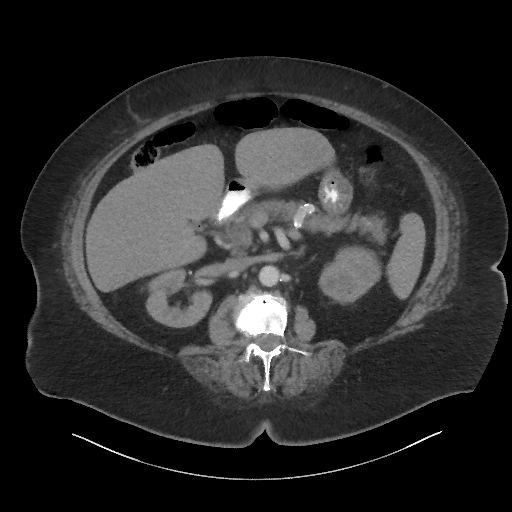
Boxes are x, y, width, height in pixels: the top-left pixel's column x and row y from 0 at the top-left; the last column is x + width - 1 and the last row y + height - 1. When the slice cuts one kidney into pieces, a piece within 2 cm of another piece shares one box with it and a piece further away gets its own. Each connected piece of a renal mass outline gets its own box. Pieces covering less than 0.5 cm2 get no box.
This is axial slice 40 of 86 (slice 1 is the lowest) of an abdominal CT with contrast; each pixel is 0.977 mm and the slice is 3.00 mm thick. Boxed on this slice (two kidney boxes), listed by box centre from the image's left to its right: (1) Box x 146, y 269, width 67, height 59: right kidney (outlined area 2,705 px, about 25.8 cm2). (2) Left kidney at x 318, y 245, width 62, height 60 (outlined area 2,591 px, about 24.7 cm2). No renal mass outline on this slice.
Scan settings: 140 kVp, I44f reconstruction kernel.